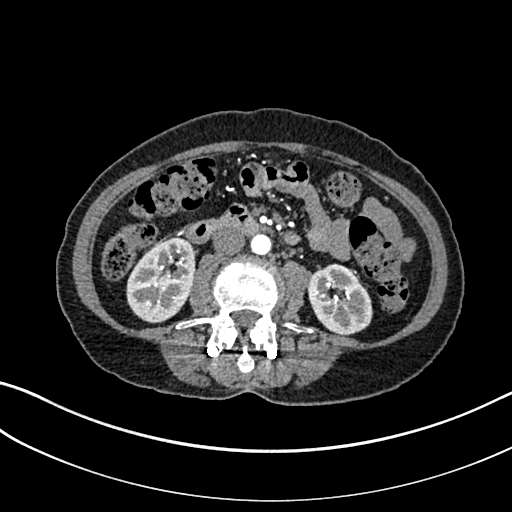
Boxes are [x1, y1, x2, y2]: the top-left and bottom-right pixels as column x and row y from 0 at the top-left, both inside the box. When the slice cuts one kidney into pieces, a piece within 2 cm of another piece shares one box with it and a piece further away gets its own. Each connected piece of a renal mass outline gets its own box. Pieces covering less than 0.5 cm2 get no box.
Slice 113/325 of a contrast-enhanced abdominal CT in the arterial phase, counting up from the lowest; pixel size 0.703 mm, slice thickness 1.00 mm. Two kidney boxes on this slice; by box centre, from the image's left to its right: (1) Box [126, 236, 195, 323]: right kidney (outlined area 4,466 px, about 22.1 cm2). (2) Left kidney, box [308, 263, 372, 334] (outlined area 3,458 px, about 17.1 cm2). No renal mass outline on this slice.
Acquired at 100 kVp and reconstructed with the I30f kernel.